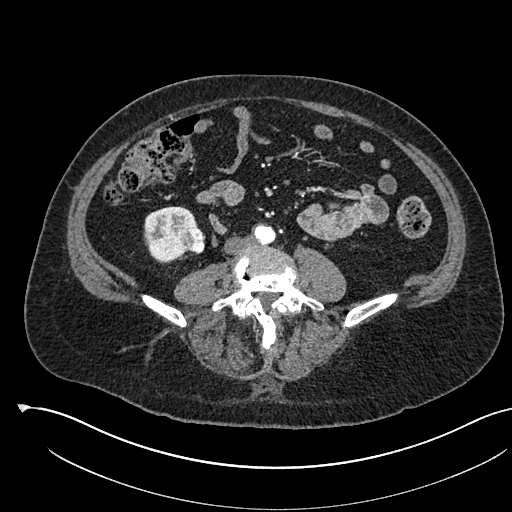
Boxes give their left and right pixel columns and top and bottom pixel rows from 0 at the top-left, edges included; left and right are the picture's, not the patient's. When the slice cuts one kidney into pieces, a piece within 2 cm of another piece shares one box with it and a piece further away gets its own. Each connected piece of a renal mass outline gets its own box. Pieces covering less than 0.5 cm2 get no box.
Arterial-phase contrast-enhanced abdominal CT, axial slice 200 of 541 (counted from the lowest slice); 1.00 mm thick, 0.834 mm per pixel. Two boxes on this slice (one kidney box and one renal mass box), listed by box centre from the image's left to its right. (1) Right kidney in the box with left 143, top 206, right 198, bottom 263 (outlined area 2,212 px, about 15.4 cm2). (2) Right renal mass, the box with left 181, top 228, right 205, bottom 254 (outlined area 504 px, about 3.5 cm2).
Scan settings: 120 kVp, I30f reconstruction kernel.